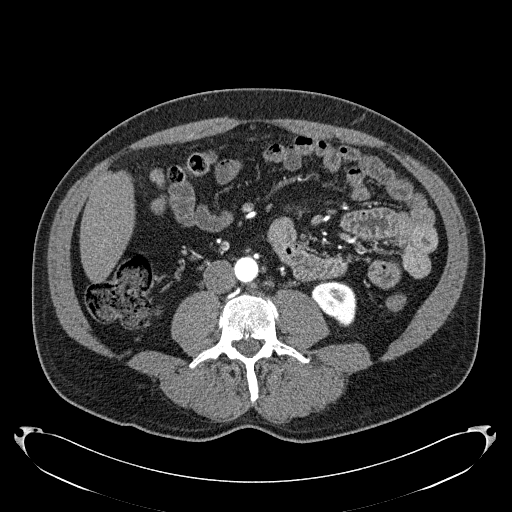
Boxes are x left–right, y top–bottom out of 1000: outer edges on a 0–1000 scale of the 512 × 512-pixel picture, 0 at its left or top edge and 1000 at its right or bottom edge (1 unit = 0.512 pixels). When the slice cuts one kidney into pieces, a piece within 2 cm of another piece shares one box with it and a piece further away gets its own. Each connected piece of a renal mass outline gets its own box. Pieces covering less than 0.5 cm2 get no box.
This is axial slice 69 of 279 (slice 1 is the lowest) of an arterial-phase abdominal CT with contrast; each pixel is 0.824 mm and the slice is 2.00 mm thick. Box x 607–697, y 547–639 out of 1000: left kidney (outlined area 1,489 px, about 10.1 cm2). This slice carries no renal mass outline.
Scan settings: 120 kVp, B31f reconstruction kernel.